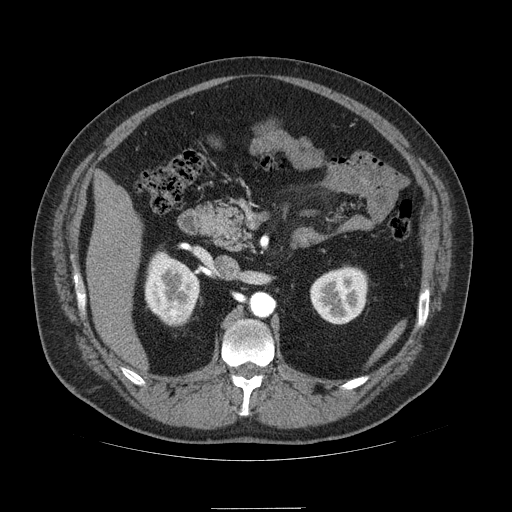
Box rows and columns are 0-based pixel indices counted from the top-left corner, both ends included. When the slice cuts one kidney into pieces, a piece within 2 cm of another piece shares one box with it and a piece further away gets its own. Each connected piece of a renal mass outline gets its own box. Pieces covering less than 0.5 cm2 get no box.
Slice 60/121 of a contrast-enhanced abdominal CT in the arterial phase, counting up from the lowest; pixel size 0.861 mm, slice thickness 2.50 mm. Two kidney boxes and one renal mass box on this slice; by box centre, from the image's left to its right: (1) Right kidney at rows 251–320, columns 144–199 (outlined area 2,546 px, about 18.9 cm2). (2) Right renal mass at rows 304–325, columns 163–190 (outlined area 498 px, about 3.7 cm2). (3) Box rows 266–324, columns 310–367: left kidney (outlined area 2,627 px, about 19.5 cm2).
Acquired at 120 kVp and reconstructed with the STANDARD kernel.